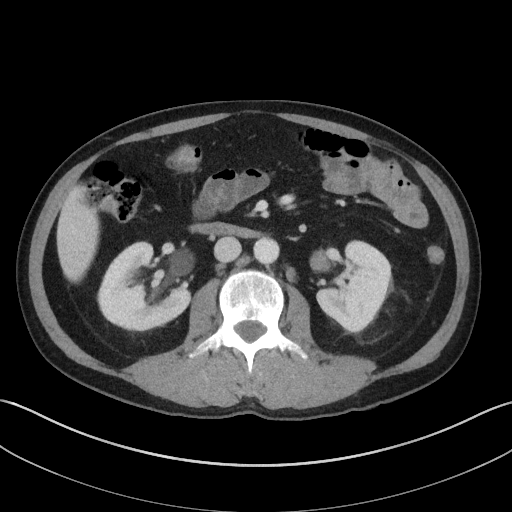
Abdominal CT with intravenous contrast, axial plane, 100 kVp, kernel I41f. Slice 61/143 from the bottom of the scan; thickness 5.00 mm; pixel size 0.734 mm.
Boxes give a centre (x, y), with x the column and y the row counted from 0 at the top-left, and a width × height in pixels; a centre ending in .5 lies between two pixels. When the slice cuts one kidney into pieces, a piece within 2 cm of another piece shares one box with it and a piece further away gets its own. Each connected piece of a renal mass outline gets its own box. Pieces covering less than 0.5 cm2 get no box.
Two boxes on this slice (two kidney boxes), listed by box centre from the image's left to its right. (1) Box centre (144, 286.5), 95 × 92 pixels: right kidney (outlined area 5,822 px, about 31.4 cm2). (2) Left kidney in a box with centre (355, 286.5), 79 × 94 pixels (outlined area 4,792 px, about 25.8 cm2). No renal mass is outlined on this slice.